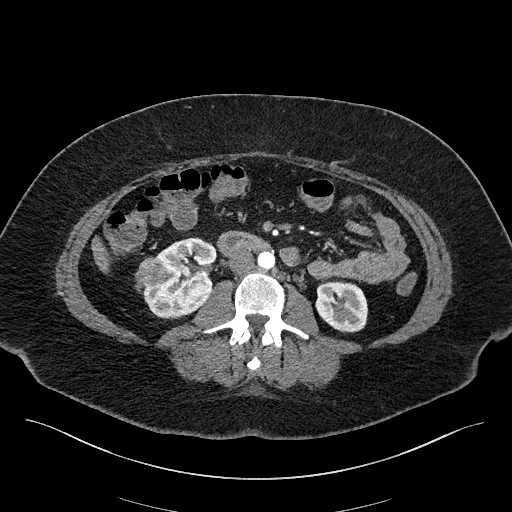
Axial slice 80 of 270 of a contrast-enhanced abdominal CT in the arterial phase (slice 1 is the lowest), 100 kVp, kernel I40f; 2.00 mm slice thickness and 0.855 mm pixels.
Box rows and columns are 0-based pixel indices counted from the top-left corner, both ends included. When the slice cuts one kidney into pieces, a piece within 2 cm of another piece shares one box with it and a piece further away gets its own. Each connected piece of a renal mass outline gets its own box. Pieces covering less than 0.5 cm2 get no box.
Three boxes on this slice (two kidney boxes and one renal mass box), listed by box centre from the image's left to its right. (1) Box rows 256–286, columns 134–166: right renal mass (outlined area 707 px, about 5.2 cm2). (2) Right kidney at rows 237–318, columns 143–217 (outlined area 4,075 px, about 29.8 cm2). (3) Box rows 281–332, columns 315–368: left kidney (outlined area 2,224 px, about 16.3 cm2).